Axial slice 348 of 538 of a contrast-enhanced abdominal CT in the arterial phase (slice 1 is the lowest), 120 kVp, kernel B30f; 1.00 mm slice thickness and 0.811 mm pixels.
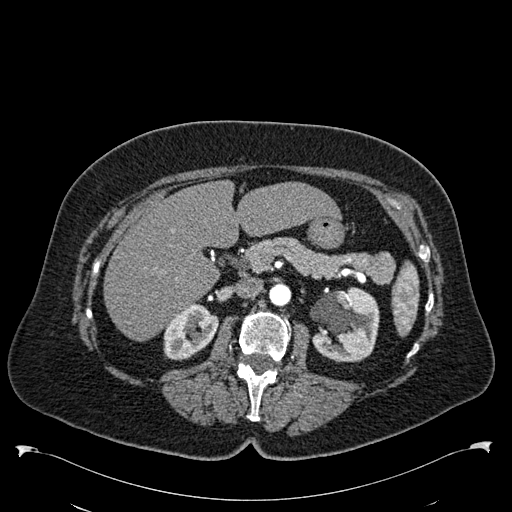
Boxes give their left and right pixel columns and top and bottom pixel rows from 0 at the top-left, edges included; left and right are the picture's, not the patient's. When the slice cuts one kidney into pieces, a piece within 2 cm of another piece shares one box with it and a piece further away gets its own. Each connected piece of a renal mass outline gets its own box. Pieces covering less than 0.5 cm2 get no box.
Two boxes on this slice (two kidney boxes), listed by box centre from the image's left to its right. (1) Box with left 163, top 304, right 218, bottom 360: right kidney (outlined area 2,169 px, about 14.3 cm2). (2) Left kidney in the box with left 310, top 287, right 379, bottom 362 (outlined area 4,027 px, about 26.5 cm2). This slice carries no renal mass outline.